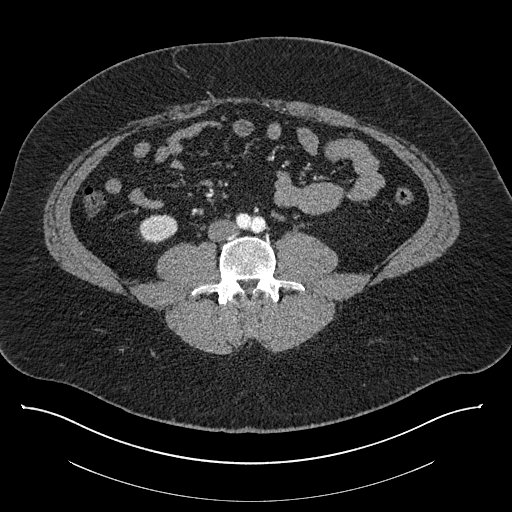
Contrast-enhanced abdominal CT, axial slice 328 of 787 (counted from the lowest slice); tube voltage 140 kVp, convolution kernel I30f; slices 1.00 mm thick, 0.910 mm per pixel.
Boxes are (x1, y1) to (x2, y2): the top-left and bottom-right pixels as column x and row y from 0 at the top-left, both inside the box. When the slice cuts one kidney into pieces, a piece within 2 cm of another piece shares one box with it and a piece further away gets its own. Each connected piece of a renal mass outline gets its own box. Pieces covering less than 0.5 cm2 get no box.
Box (138, 214) to (177, 244): right kidney (outlined area 904 px, about 7.5 cm2). This slice carries no renal mass outline.